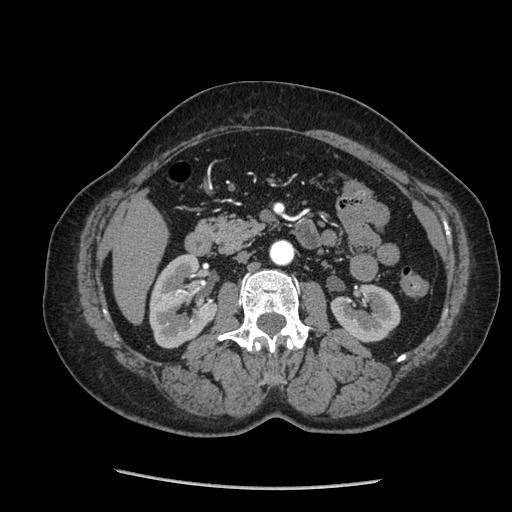
Arterial-phase contrast-enhanced abdominal CT, axial slice 118 of 233 (counted from the lowest slice); tube voltage 120 kVp, convolution kernel STANDARD; slices 1.25 mm thick, 0.703 mm per pixel.
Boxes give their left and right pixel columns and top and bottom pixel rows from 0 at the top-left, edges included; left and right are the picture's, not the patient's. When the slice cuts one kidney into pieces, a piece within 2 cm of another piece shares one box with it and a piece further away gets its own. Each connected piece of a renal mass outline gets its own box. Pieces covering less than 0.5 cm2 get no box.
Two boxes on this slice (two kidney boxes), listed by box centre from the image's left to its right. (1) Right kidney, the box with left 149, top 253, right 218, bottom 348 (outlined area 4,645 px, about 23.0 cm2). (2) Left kidney, the box with left 330, top 283, right 400, bottom 342 (outlined area 2,931 px, about 14.5 cm2). No renal mass is outlined on this slice.